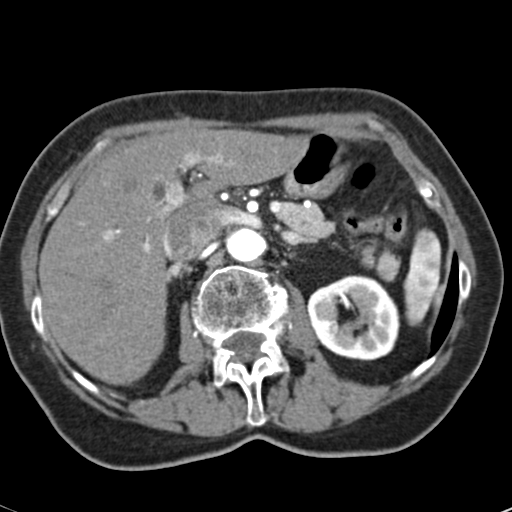
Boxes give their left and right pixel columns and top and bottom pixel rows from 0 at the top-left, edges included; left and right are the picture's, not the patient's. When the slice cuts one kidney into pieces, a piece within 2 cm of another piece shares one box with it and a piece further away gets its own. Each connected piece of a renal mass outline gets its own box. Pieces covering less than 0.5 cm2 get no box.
Slice 40/53 of a contrast-enhanced abdominal CT in the arterial phase, counting up from the lowest; pixel size 0.547 mm, slice thickness 3.00 mm. Left kidney, the box with left 306, top 275, right 400, bottom 360 (outlined area 6,002 px, about 18.0 cm2). No renal mass is outlined on this slice.
Tube voltage 120 kVp; convolution kernel B30f.